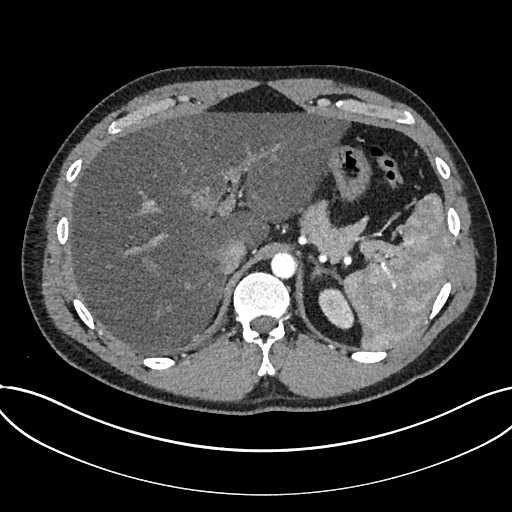
Arterial-phase contrast-enhanced abdominal CT, axial slice 583 of 735 (counted from the lowest slice); tube voltage 120 kVp, convolution kernel I30f; slices 1.00 mm thick, 0.789 mm per pixel.
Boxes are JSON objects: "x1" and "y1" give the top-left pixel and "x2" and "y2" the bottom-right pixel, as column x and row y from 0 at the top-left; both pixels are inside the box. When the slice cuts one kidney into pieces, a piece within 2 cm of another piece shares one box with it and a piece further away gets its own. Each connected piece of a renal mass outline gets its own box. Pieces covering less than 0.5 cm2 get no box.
Kidney at {"x1": 318, "y1": 287, "x2": 354, "y2": 329} (outlined area 1,036 px, about 6.5 cm2). This slice carries no renal mass outline.